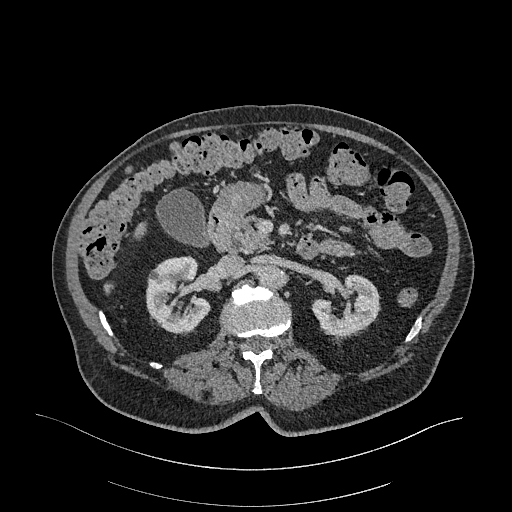
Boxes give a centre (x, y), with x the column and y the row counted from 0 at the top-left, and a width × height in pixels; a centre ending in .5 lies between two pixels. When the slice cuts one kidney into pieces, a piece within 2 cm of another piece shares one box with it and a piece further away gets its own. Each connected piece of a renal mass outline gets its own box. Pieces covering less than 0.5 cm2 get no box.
This is axial slice 184 of 470 (slice 1 is the lowest) of an arterial-phase abdominal CT with contrast; each pixel is 0.938 mm and the slice is 1.00 mm thick. Boxed on this slice (two kidney boxes), listed by box centre from the image's left to its right: (1) Right kidney, box centre (178.5, 295), 66 × 79 pixels (outlined area 3,738 px, about 32.9 cm2). (2) Left kidney in a box with centre (344.5, 305.5), 68 × 64 pixels (outlined area 2,719 px, about 23.9 cm2). No renal mass outline on this slice.
Scan settings: 120 kVp, I26f reconstruction kernel.